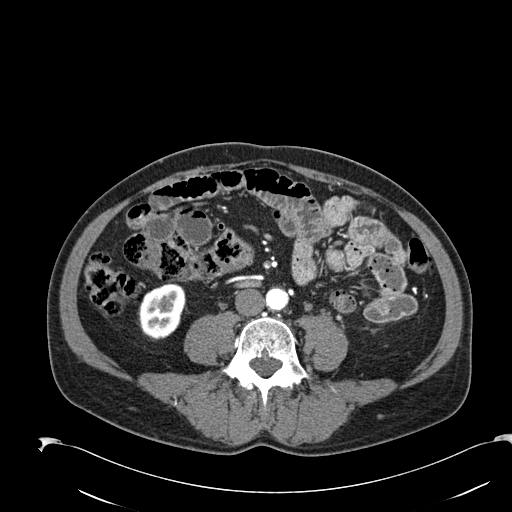
Axial slice 51 of 274 of a contrast-enhanced abdominal CT in the arterial phase (slice 1 is the lowest), 120 kVp, kernel B30f; 2.00 mm slice thickness and 0.809 mm pixels.
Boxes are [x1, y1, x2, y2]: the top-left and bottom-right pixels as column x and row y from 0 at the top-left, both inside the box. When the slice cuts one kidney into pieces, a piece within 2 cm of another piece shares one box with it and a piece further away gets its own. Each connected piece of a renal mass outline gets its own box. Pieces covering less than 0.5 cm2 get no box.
Right kidney at [138, 283, 185, 340] (outlined area 2,086 px, about 13.6 cm2). No renal mass is outlined on this slice.